Axial slice 350 of 673 of a contrast-enhanced abdominal CT in the arterial phase (slice 1 is the lowest), 140 kVp, kernel I30f; 1.00 mm slice thickness and 0.957 mm pixels.
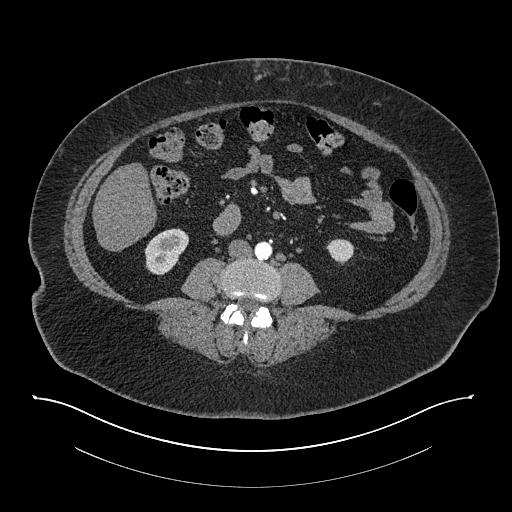
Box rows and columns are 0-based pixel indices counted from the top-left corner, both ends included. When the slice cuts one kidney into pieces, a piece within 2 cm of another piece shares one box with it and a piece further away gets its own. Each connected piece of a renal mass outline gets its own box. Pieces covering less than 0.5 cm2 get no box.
Boxed on this slice (two kidney boxes), listed by box centre from the image's left to its right: (1) Right kidney at rows 228–275, columns 144–189 (outlined area 1,487 px, about 13.6 cm2). (2) Box rows 239–264, columns 326–353: left kidney (outlined area 526 px, about 4.8 cm2). No renal mass is outlined on this slice.